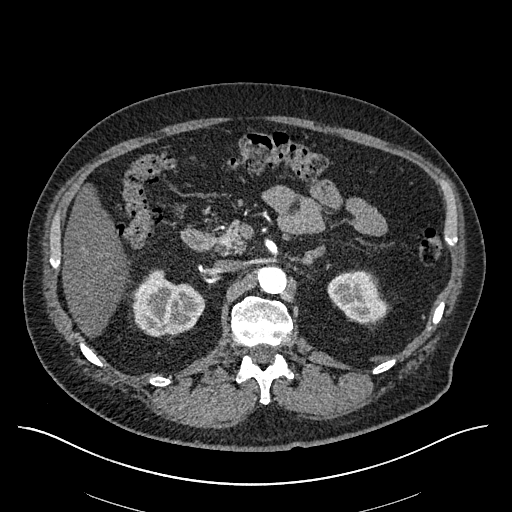
One axial slice (377 of 670, counting up from the lowest) of an arterial-phase abdominal CT acquired with 120 kVp, kernel I30f; each pixel is 0.861 mm and the slice is 1.00 mm thick.
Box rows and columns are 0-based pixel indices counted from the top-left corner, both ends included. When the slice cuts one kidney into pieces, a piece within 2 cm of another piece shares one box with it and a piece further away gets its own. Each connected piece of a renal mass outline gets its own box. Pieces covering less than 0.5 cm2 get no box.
Boxed on this slice (two kidney boxes), listed by box centre from the image's left to its right: (1) Box rows 269–336, columns 132–204: right kidney (outlined area 3,530 px, about 26.2 cm2). (2) Left kidney, box rows 270–324, columns 327–387 (outlined area 2,338 px, about 17.3 cm2). No renal mass is outlined on this slice.